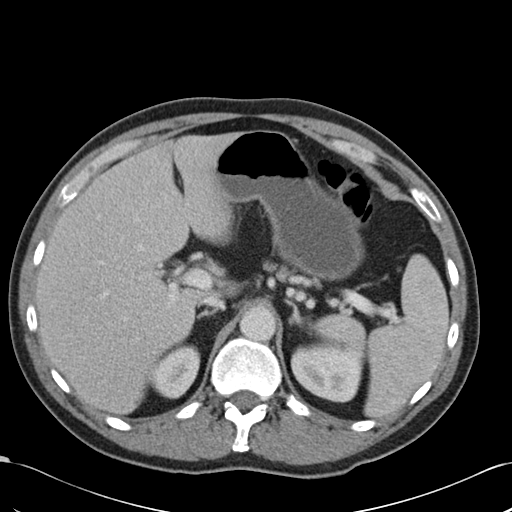
Axial slice 76 of 99 of a contrast-enhanced abdominal CT in the arterial phase (slice 1 is the lowest), 120 kVp, kernel B30f; 5.00 mm slice thickness and 0.693 mm pixels.
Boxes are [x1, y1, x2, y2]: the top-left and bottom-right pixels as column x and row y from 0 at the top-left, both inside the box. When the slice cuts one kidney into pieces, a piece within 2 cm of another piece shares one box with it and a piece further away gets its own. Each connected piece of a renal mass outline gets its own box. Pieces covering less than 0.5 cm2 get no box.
Two kidney boxes on this slice; by box centre, from the image's left to its right: (1) Box [149, 344, 200, 398]: right kidney (outlined area 2,050 px, about 9.9 cm2). (2) Left kidney, box [291, 341, 366, 402] (outlined area 3,548 px, about 17.1 cm2). This slice carries no renal mass outline.